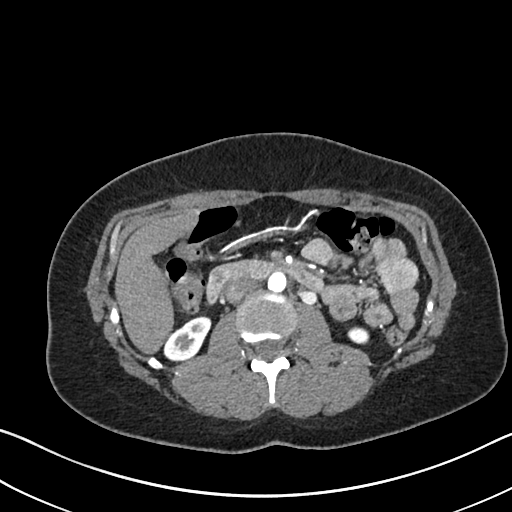
Abdominal CT with intravenous contrast, arterial phase, axial plane, 120 kVp, kernel I30f. Slice 374/612 from the bottom of the scan; thickness 1.00 mm; pixel size 0.703 mm.
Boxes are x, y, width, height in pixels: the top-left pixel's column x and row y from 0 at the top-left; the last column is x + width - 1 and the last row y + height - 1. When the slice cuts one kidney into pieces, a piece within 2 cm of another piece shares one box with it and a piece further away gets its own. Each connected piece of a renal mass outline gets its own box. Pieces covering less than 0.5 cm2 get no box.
Two kidney boxes on this slice; by box centre, from the image's left to its right: (1) Right kidney at x 163, y 316, width 49, height 45 (outlined area 1,377 px, about 6.8 cm2). (2) Left kidney at x 347, y 326, width 22, height 19 (outlined area 328 px, about 1.6 cm2). This slice carries no renal mass outline.